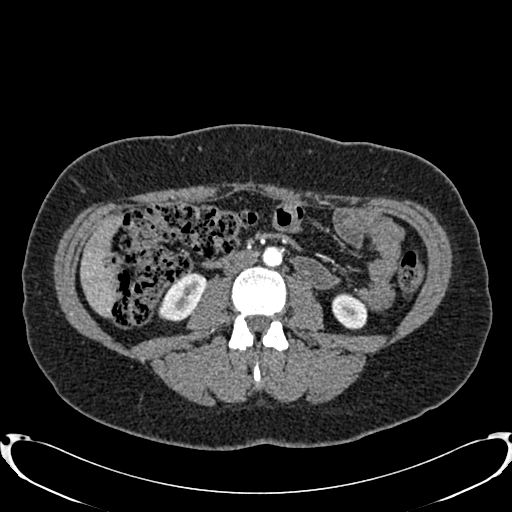
Axial slice 385 of 719 of a contrast-enhanced abdominal CT in the arterial phase (slice 1 is the lowest), 120 kVp, kernel B20f; 1.00 mm slice thickness and 0.766 mm pixels.
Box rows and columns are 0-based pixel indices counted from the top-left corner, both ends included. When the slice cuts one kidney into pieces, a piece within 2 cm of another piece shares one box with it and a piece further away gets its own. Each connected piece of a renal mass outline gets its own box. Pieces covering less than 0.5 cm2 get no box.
Boxed on this slice (two kidney boxes), listed by box centre from the image's left to its right: (1) Right kidney, box rows 272–321, columns 158–205 (outlined area 1,544 px, about 9.1 cm2). (2) Left kidney, box rows 293–329, columns 331–367 (outlined area 1,011 px, about 5.9 cm2). No renal mass is outlined on this slice.